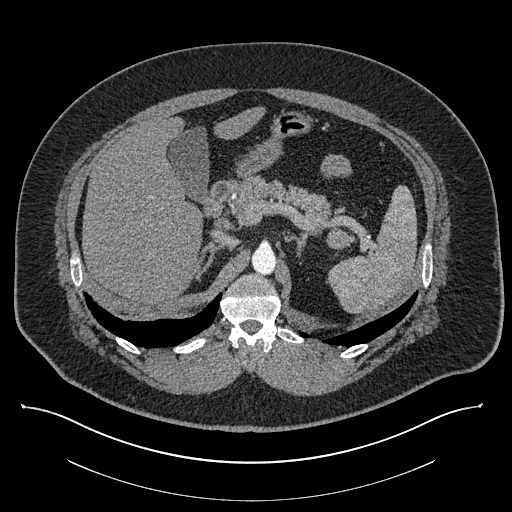
Contrast-enhanced abdominal CT, axial slice 582 of 787 (counted from the lowest slice); tube voltage 140 kVp, convolution kernel I30f; slices 1.00 mm thick, 0.910 mm per pixel.
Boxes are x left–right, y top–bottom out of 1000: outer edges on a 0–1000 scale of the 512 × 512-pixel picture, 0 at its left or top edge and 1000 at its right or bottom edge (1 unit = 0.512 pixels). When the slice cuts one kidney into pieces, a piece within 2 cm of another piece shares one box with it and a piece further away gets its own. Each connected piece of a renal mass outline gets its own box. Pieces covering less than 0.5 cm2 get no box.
Left renal mass at x 637–689, y 443–488 out of 1000 (outlined area 439 px, about 3.6 cm2); no kidney outline appears on this slice, but the same outlined renal mass comes within 1 cm of the kidney on another slice.